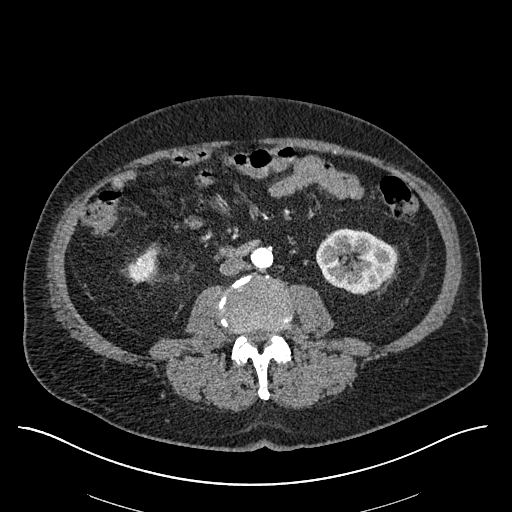
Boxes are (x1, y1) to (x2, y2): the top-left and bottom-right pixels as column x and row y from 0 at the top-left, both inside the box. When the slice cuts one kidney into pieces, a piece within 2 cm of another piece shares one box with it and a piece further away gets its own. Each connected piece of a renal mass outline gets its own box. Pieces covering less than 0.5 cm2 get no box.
Slice 251/670 of a contrast-enhanced abdominal CT in the arterial phase, counting up from the lowest; pixel size 0.861 mm, slice thickness 1.00 mm. Two boxes on this slice (two kidney boxes), listed by box centre from the image's left to its right. (1) Box (127, 249) to (157, 281): right kidney (outlined area 730 px, about 5.4 cm2). (2) Left kidney, box (315, 228) to (397, 294) (outlined area 4,020 px, about 29.8 cm2). This slice carries no renal mass outline.
Tube voltage 120 kVp; convolution kernel I30f.